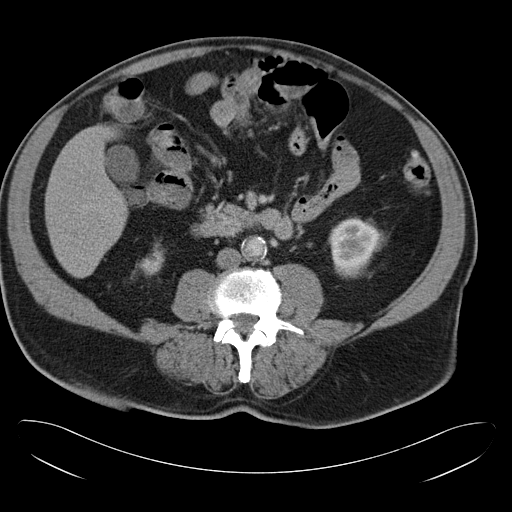
Axial slice 10 of 34 of a contrast-enhanced abdominal CT in the arterial phase (slice 1 is the lowest), 120 kVp, kernel B30f; 5.00 mm slice thickness and 0.830 mm pixels.
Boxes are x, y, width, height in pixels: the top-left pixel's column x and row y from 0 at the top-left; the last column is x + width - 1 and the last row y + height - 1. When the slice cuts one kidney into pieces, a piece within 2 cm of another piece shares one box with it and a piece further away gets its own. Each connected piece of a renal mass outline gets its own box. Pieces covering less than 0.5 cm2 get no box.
Two kidney boxes on this slice; by box centre, from the image's left to its right: (1) Right kidney, box x 136, y 242, width 29, height 34 (outlined area 512 px, about 3.5 cm2). (2) Left kidney at x 329, y 218, width 50, height 56 (outlined area 2,198 px, about 15.1 cm2). No renal mass outline on this slice.